One axial slice (146 of 279, counting up from the lowest) of an arterial-phase abdominal CT acquired with 120 kVp, kernel B31f; each pixel is 0.824 mm and the slice is 2.00 mm thick.
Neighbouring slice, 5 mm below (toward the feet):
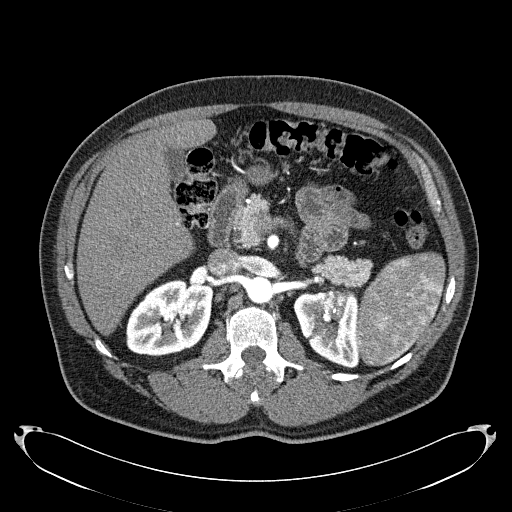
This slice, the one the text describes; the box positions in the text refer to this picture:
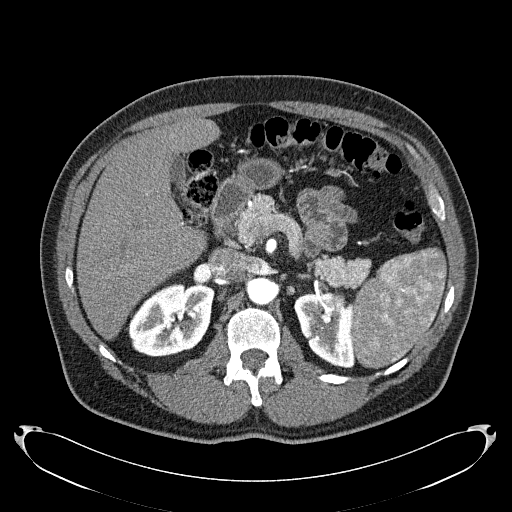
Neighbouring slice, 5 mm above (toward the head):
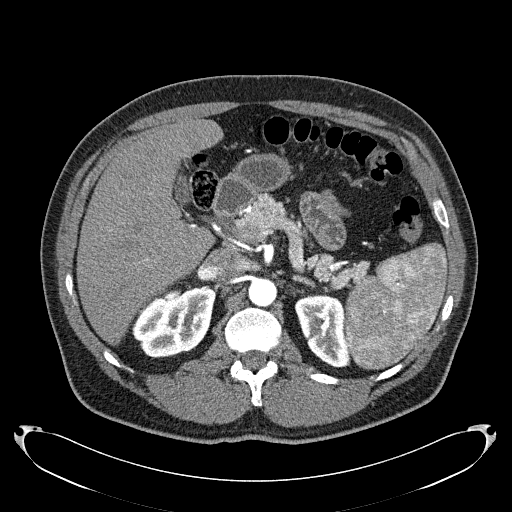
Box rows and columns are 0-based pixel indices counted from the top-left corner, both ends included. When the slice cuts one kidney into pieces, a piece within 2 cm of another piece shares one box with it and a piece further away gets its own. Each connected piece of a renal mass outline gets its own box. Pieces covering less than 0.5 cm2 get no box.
Two kidney boxes and one renal mass box on this slice; by box centre, from the image's left to its right: (1) Box rows 282–356, columns 127–214: right kidney (outlined area 4,848 px, about 32.9 cm2). (2) Left kidney, box rows 292–368, columns 294–353 (outlined area 3,330 px, about 22.6 cm2). (3) Left renal mass at rows 292–304, columns 333–346 (outlined area 140 px, about 1.0 cm2). This slice is near the end of the left renal mass toward the head, so the slices 5 mm below and 5 mm above it are shown as well; the boxes refer to this slice only.